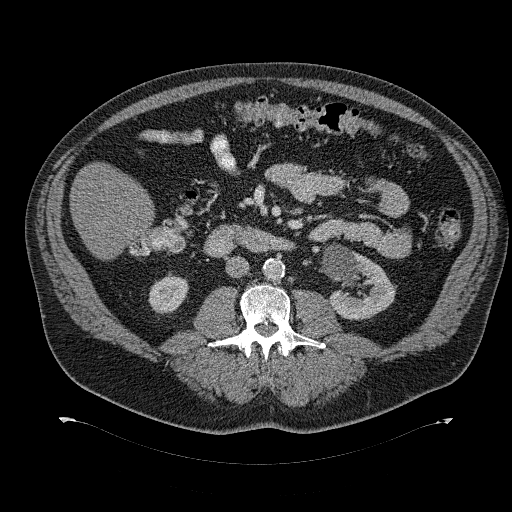
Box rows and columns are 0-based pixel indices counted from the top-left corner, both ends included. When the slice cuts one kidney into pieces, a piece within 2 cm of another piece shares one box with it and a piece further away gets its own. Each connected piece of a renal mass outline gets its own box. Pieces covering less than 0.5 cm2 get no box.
This is axial slice 165 of 274 (slice 1 is the lowest) of an abdominal CT with contrast; each pixel is 0.977 mm and the slice is 2.00 mm thick. Two boxes on this slice (two kidney boxes), listed by box centre from the image's left to its right. (1) Right kidney at rows 272–314, columns 148–188 (outlined area 1,214 px, about 11.6 cm2). (2) Box rows 243–319, columns 321–396: left kidney (outlined area 3,669 px, about 35.0 cm2). No renal mass outline on this slice.
Scan settings: 120 kVp, B31f reconstruction kernel.